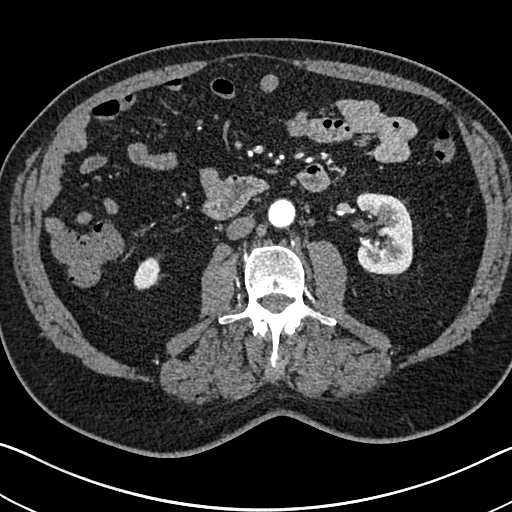
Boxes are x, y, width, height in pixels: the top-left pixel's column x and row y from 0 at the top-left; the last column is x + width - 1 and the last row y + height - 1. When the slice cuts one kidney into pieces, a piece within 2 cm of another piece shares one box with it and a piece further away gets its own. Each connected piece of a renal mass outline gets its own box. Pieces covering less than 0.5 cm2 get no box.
Arterial-phase contrast-enhanced abdominal CT, axial slice 354 of 705 (counted from the lowest slice); 1.00 mm thick, 0.703 mm per pixel. Two kidney boxes on this slice; by box centre, from the image's left to its right: (1) Right kidney at x 133, y 257, width 28, height 34 (outlined area 658 px, about 3.3 cm2). (2) Left kidney at x 355, y 192, width 59, height 85 (outlined area 3,913 px, about 19.3 cm2). This slice carries no renal mass outline.
Tube voltage 120 kVp; convolution kernel I30f.